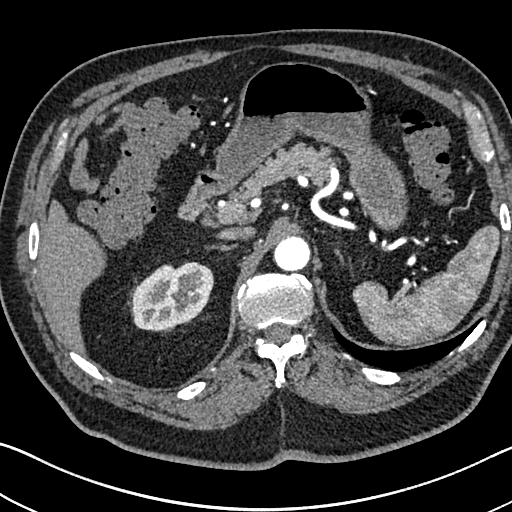
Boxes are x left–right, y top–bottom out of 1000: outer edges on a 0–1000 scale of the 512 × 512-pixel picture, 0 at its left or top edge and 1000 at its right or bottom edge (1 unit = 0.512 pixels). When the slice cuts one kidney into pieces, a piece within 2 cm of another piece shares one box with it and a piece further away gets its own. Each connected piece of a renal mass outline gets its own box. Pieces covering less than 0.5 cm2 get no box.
This is axial slice 523 of 705 (slice 1 is the lowest) of an arterial-phase abdominal CT with contrast; each pixel is 0.703 mm and the slice is 1.00 mm thick. Box x 258–418, y 512–646 out of 1000: right kidney (outlined area 4,294 px, about 21.2 cm2). This slice carries no renal mass outline.
Acquired at 120 kVp and reconstructed with the I30f kernel.